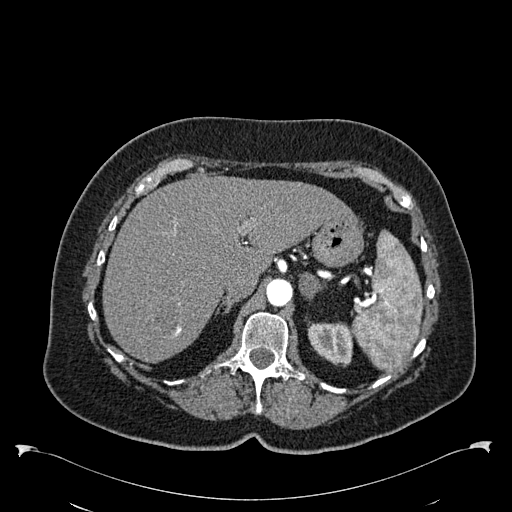
Arterial-phase contrast-enhanced abdominal CT, axial slice 429 of 538 (counted from the lowest slice); tube voltage 120 kVp, convolution kernel B30f; slices 1.00 mm thick, 0.811 mm per pixel.
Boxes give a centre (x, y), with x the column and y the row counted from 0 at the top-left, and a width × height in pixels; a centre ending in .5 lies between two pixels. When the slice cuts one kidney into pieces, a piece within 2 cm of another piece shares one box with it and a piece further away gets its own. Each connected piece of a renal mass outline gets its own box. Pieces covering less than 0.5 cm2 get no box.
Box centre (329.5, 344.5), 46 × 46 pixels: left kidney (outlined area 1,582 px, about 10.4 cm2). No renal mass is outlined on this slice.